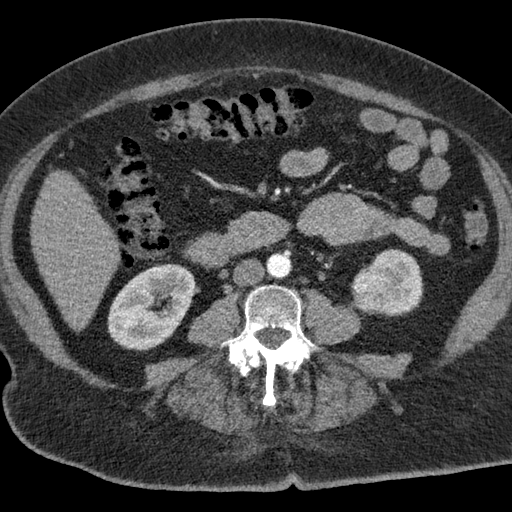
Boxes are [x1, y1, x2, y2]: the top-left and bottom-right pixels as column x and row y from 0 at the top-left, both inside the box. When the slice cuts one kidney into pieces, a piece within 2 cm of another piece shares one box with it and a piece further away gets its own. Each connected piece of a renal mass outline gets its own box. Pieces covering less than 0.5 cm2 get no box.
This is axial slice 22 of 76 (slice 1 is the lowest) of an abdominal CT with contrast; each pixel is 0.684 mm and the slice is 3.00 mm thick. Boxed on this slice (two kidney boxes and one renal mass box), listed by box centre from the image's left to its right: (1) Right kidney, box [107, 263, 196, 350] (outlined area 5,513 px, about 25.8 cm2). (2) Box [350, 264, 392, 314]: left renal mass (outlined area 1,485 px, about 6.9 cm2). (3) Left kidney at [370, 248, 423, 316] (outlined area 2,301 px, about 10.8 cm2).
Scan settings: 120 kVp, B reconstruction kernel.